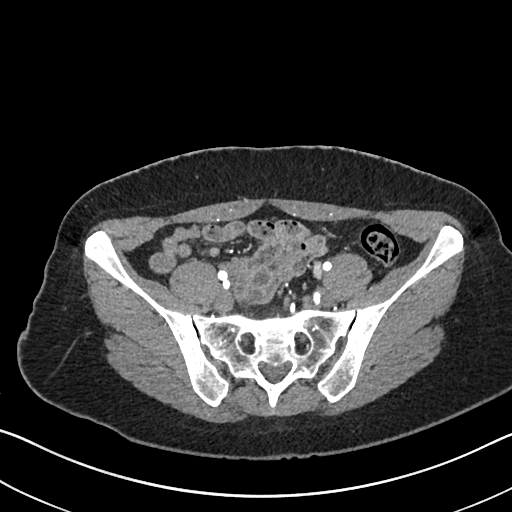
Abdominal CT with intravenous contrast, arterial phase, axial plane, 120 kVp, kernel I30f. Slice 128/612 from the bottom of the scan; thickness 1.00 mm; pixel size 0.703 mm.
Outside the outlined region: no kidney outline and no renal mass outline on this slice. The scan's outlines cover only kidneys and renal masses; no other organ is outlined.